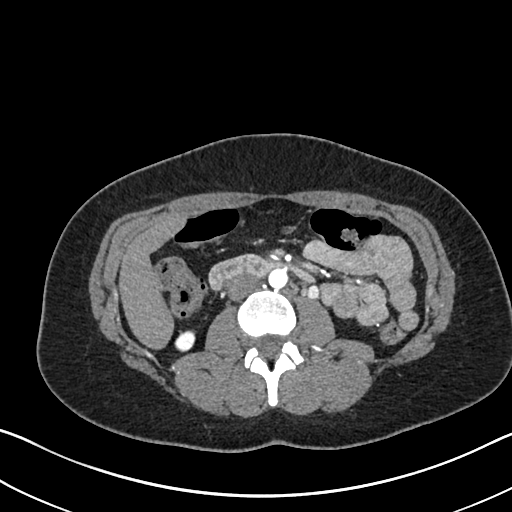
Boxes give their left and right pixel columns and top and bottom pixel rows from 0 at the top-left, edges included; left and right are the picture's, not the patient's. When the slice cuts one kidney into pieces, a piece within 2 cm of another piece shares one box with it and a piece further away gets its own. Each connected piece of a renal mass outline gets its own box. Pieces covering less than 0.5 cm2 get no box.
Slice 358/612 of a contrast-enhanced abdominal CT in the arterial phase, counting up from the lowest; pixel size 0.703 mm, slice thickness 1.00 mm. Right kidney in the box with left 174, top 330, right 195, bottom 350 (outlined area 346 px, about 1.7 cm2). No renal mass outline on this slice.
Acquired at 120 kVp and reconstructed with the I30f kernel.